Axial slice 462 of 612 of a contrast-enhanced abdominal CT in the arterial phase (slice 1 is the lowest), 120 kVp, kernel I30f; 1.00 mm slice thickness and 0.703 mm pixels.
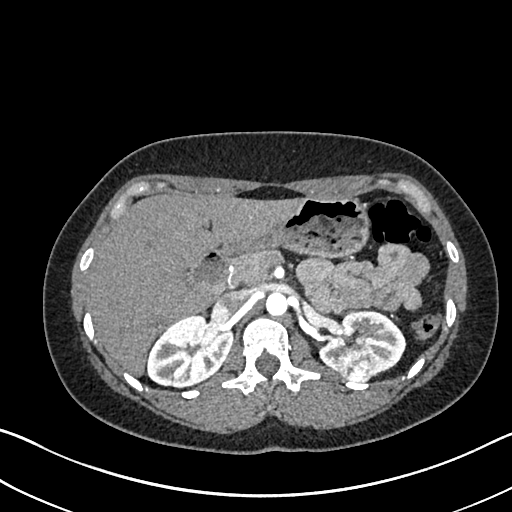
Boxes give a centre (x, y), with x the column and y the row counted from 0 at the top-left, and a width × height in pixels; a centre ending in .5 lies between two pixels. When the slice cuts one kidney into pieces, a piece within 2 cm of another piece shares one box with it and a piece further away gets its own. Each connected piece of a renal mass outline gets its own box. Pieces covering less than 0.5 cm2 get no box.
Two kidney boxes and one renal mass box on this slice; by box centre, from the image's left to its right: (1) Box centre (190, 351), 87 × 75 pixels: right kidney (outlined area 4,524 px, about 22.4 cm2). (2) Left renal mass, box centre (357, 365), 39 × 35 pixels (outlined area 1,123 px, about 5.6 cm2). (3) Box centre (362.5, 342.5), 88 × 68 pixels: left kidney (outlined area 3,391 px, about 16.8 cm2).